Axial slice 292 of 1059 of a contrast-enhanced abdominal CT in the arterial phase (slice 1 is the lowest), 100 kVp, kernel I30f; 1.00 mm slice thickness and 0.811 mm pixels.
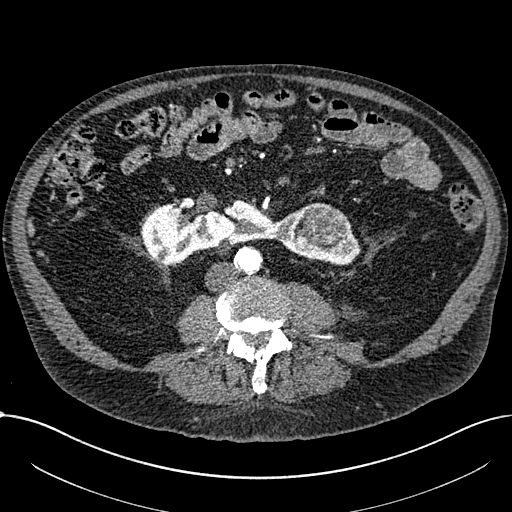
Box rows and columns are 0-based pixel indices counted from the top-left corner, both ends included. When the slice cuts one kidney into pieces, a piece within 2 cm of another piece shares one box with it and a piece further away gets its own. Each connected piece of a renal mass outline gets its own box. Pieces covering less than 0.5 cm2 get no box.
Boxed on this slice (one kidney box and one renal mass box), listed by box centre from the image's left to its right: (1) Box rows 198–265, columns 140–360: kidney crossing the body midline (outlined area 7,985 px, about 52.5 cm2). (2) Renal mass at rows 202–249, columns 294–349 (outlined area 1,972 px, about 13.0 cm2).